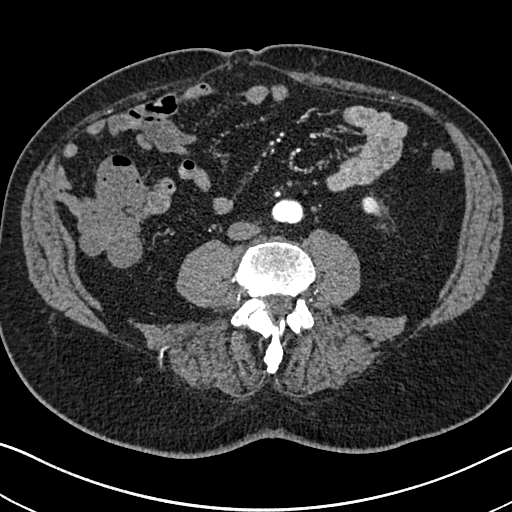
One axial slice (268 of 705, counting up from the lowest) of an arterial-phase abdominal CT acquired with 120 kVp, kernel I30f; each pixel is 0.703 mm and the slice is 1.00 mm thick.
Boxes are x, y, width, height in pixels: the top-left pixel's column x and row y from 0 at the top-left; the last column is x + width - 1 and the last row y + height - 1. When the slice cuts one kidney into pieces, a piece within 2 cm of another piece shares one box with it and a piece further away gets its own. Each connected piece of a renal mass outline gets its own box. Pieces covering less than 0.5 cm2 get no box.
Left kidney at x 362, y 197, width 18, height 18 (outlined area 248 px, about 1.2 cm2). This slice carries no renal mass outline.